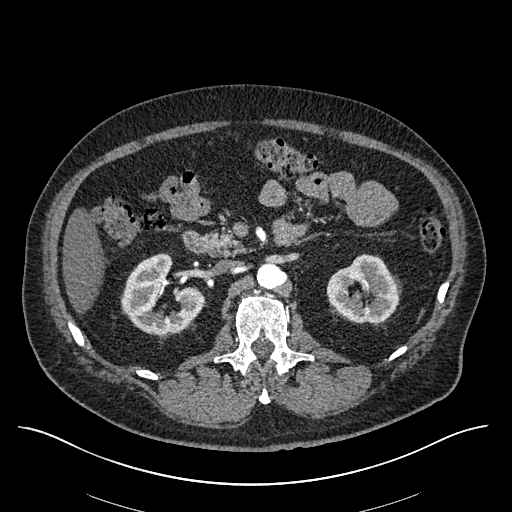
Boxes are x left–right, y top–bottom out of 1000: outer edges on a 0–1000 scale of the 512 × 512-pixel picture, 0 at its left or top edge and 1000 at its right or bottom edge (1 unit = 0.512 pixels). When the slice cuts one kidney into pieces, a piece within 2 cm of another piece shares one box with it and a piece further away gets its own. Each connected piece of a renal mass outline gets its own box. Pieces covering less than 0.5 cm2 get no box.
This is axial slice 353 of 670 (slice 1 is the lowest) of an arterial-phase abdominal CT with contrast; each pixel is 0.861 mm and the slice is 1.00 mm thick. Two boxes on this slice (two kidney boxes), listed by box centre from the image's left to its right. (1) Box x 234–400, y 494–654 out of 1000: right kidney (outlined area 4,342 px, about 32.2 cm2). (2) Left kidney at x 637–783, y 494–633 out of 1000 (outlined area 3,714 px, about 27.6 cm2). This slice carries no renal mass outline.
Tube voltage 120 kVp; convolution kernel I30f.